Axial slice 485 of 673 of a contrast-enhanced abdominal CT in the arterial phase (slice 1 is the lowest), 140 kVp, kernel I30f; 1.00 mm slice thickness and 0.957 mm pixels.
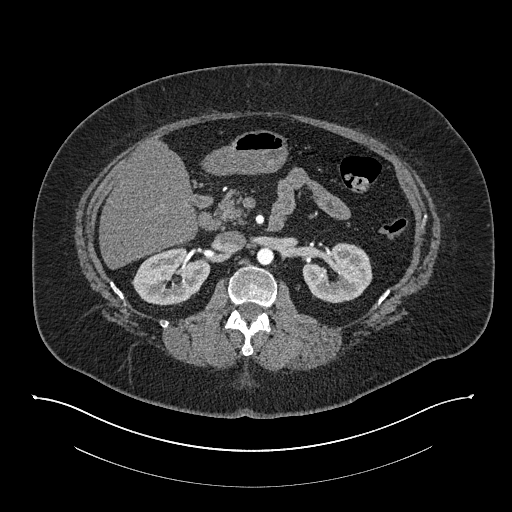
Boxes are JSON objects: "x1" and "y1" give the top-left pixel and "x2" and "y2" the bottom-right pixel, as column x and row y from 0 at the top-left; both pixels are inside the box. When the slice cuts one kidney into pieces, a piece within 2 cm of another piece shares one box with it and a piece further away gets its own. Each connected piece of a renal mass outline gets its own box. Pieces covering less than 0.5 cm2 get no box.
Two kidney boxes on this slice; by box centre, from the image's left to its right: (1) Right kidney at {"x1": 131, "y1": 247, "x2": 210, "y2": 305} (outlined area 3,290 px, about 30.1 cm2). (2) Box {"x1": 302, "y1": 242, "x2": 372, "y2": 303}: left kidney (outlined area 3,065 px, about 28.1 cm2). No renal mass outline on this slice.